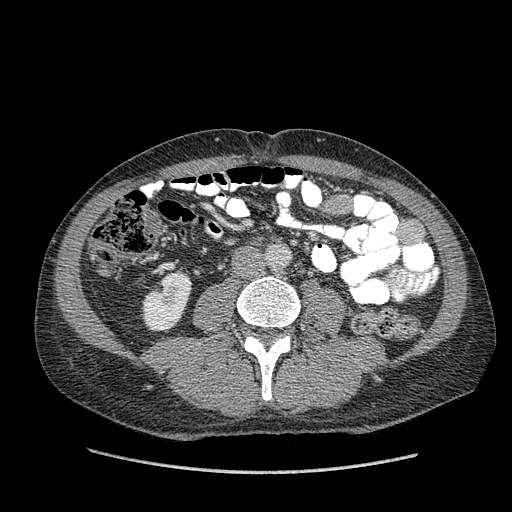
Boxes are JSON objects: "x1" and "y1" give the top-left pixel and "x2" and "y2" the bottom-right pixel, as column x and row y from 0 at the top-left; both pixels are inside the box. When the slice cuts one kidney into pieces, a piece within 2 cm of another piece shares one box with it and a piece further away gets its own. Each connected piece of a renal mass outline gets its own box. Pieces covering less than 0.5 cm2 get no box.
This is axial slice 162 of 349 (slice 1 is the lowest) of an arterial-phase abdominal CT with contrast; each pixel is 0.742 mm and the slice is 1.25 mm thick. Right kidney, box {"x1": 141, "y1": 272, "x2": 191, "y2": 331} (outlined area 2,158 px, about 11.9 cm2). This slice carries no renal mass outline.
Tube voltage 120 kVp; convolution kernel STANDARD.